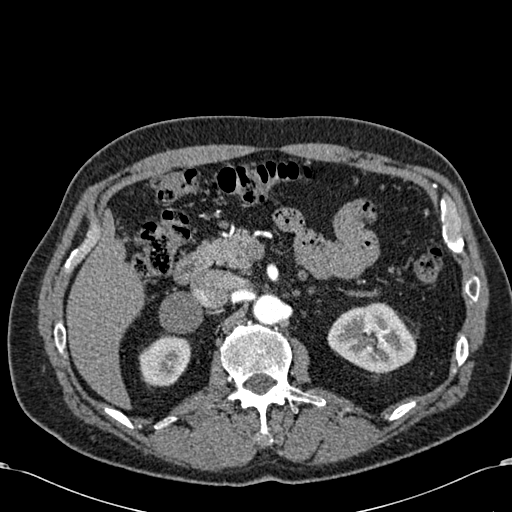
Axial slice 402 of 581 of a contrast-enhanced abdominal CT in the arterial phase (slice 1 is the lowest), 120 kVp, kernel B30f; 1.00 mm slice thickness and 0.713 mm pixels.
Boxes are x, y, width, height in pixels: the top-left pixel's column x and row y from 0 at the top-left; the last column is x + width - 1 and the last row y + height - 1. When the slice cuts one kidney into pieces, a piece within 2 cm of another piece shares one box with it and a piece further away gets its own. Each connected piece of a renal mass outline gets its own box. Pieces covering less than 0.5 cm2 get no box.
Two kidney boxes on this slice; by box centre, from the image's left to its right: (1) Box x 138, y 335, width 54, height 52: right kidney (outlined area 2,084 px, about 10.6 cm2). (2) Left kidney at x 327, y 302, width 90, height 72 (outlined area 4,582 px, about 23.3 cm2). This slice carries no renal mass outline.